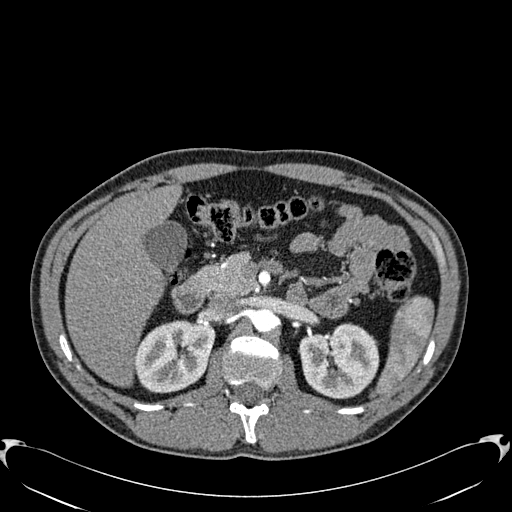
Axial slice 389 of 512 of a contrast-enhanced abdominal CT in the arterial phase (slice 1 is the lowest), 120 kVp, kernel B30f; 1.00 mm slice thickness and 0.771 mm pixels.
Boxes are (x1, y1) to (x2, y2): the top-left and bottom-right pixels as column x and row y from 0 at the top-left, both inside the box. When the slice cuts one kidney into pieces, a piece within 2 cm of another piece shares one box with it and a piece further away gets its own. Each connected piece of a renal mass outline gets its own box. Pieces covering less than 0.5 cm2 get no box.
Two boxes on this slice (two kidney boxes), listed by box centre from the image's left to its right. (1) Right kidney from (135, 320) to (214, 393) (outlined area 4,526 px, about 26.9 cm2). (2) Box (298, 323) to (379, 398): left kidney (outlined area 4,715 px, about 28.1 cm2). No renal mass is outlined on this slice.